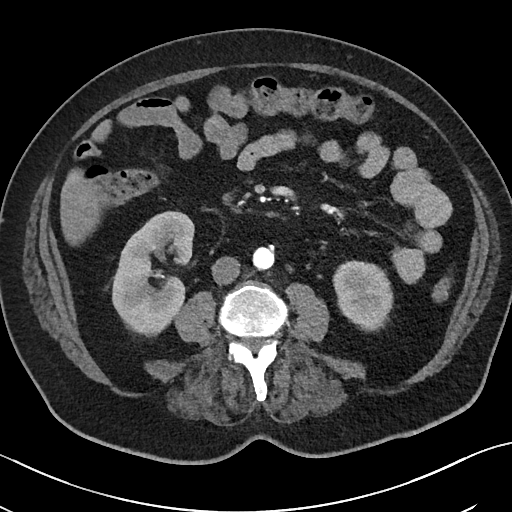
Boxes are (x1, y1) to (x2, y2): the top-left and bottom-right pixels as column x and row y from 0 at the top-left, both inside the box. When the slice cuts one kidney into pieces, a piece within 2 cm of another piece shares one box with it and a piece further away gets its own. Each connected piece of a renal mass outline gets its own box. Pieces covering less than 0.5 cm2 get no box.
This is axial slice 13 of 50 (slice 1 is the lowest) of an abdominal CT with contrast; each pixel is 0.723 mm and the slice is 5.00 mm thick. Boxed on this slice (two kidney boxes), listed by box centre from the image's left to its right: (1) Right kidney from (112, 211) to (194, 337) (outlined area 6,984 px, about 36.5 cm2). (2) Left kidney, box (333, 260) to (393, 331) (outlined area 3,293 px, about 17.2 cm2). No renal mass is outlined on this slice.
Acquired at 100 kVp and reconstructed with the I40f kernel.